One axial slice (285 of 581, counting up from the lowest) of an arterial-phase abdominal CT acquired with 120 kVp, kernel B30f; each pixel is 0.713 mm and the slice is 1.00 mm thick.
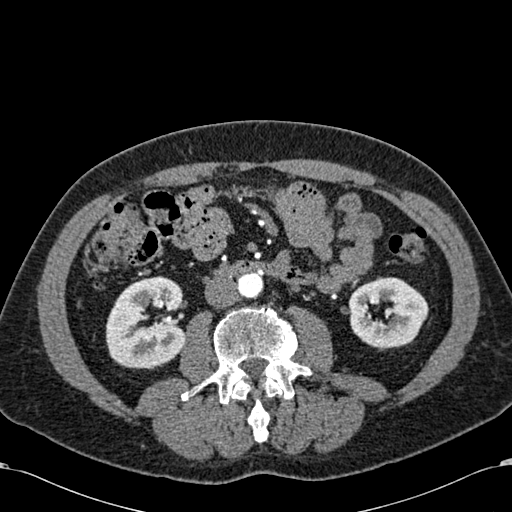
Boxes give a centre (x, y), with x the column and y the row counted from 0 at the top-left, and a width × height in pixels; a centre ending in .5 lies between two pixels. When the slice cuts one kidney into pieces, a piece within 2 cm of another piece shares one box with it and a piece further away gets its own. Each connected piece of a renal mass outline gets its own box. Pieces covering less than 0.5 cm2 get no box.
Two boxes on this slice (two kidney boxes), listed by box centre from the image's left to its right. (1) Box centre (145, 322.5), 81 × 94 pixels: right kidney (outlined area 5,789 px, about 29.4 cm2). (2) Box centre (388, 312.5), 81 × 74 pixels: left kidney (outlined area 4,259 px, about 21.6 cm2). No renal mass is outlined on this slice.